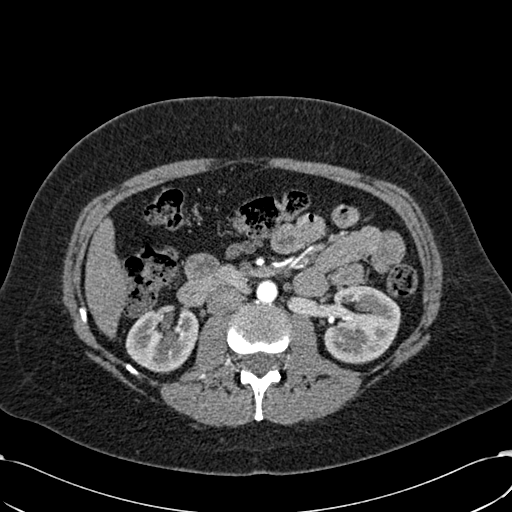
Arterial-phase contrast-enhanced abdominal CT, axial slice 334 of 532 (counted from the lowest slice); tube voltage 120 kVp, convolution kernel B30f; slices 1.00 mm thick, 0.713 mm per pixel.
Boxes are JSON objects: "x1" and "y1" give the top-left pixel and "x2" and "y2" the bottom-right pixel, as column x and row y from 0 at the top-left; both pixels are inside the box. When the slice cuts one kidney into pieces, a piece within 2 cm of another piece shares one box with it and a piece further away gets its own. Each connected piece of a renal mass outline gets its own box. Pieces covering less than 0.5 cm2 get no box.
Two kidney boxes on this slice; by box centre, from the image's left to its right: (1) Right kidney at {"x1": 125, "y1": 306, "x2": 198, "y2": 373} (outlined area 3,668 px, about 18.6 cm2). (2) Box {"x1": 323, "y1": 285, "x2": 400, "y2": 364}: left kidney (outlined area 4,723 px, about 24.0 cm2). No renal mass is outlined on this slice.